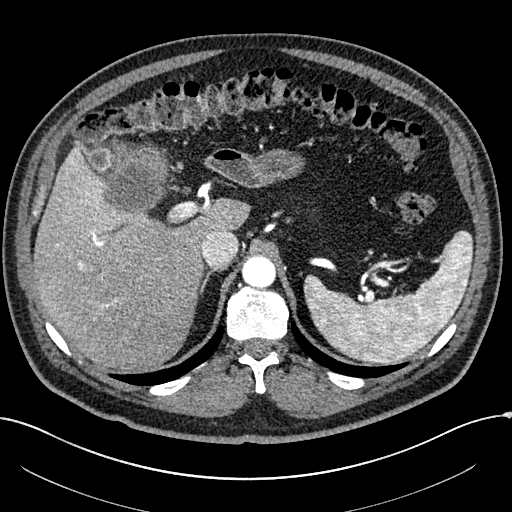
Arterial-phase contrast-enhanced abdominal CT, axial slice 191 of 304 (counted from the lowest slice); tube voltage 100 kVp, convolution kernel I30f; slices 2.00 mm thick, 0.809 mm per pixel.
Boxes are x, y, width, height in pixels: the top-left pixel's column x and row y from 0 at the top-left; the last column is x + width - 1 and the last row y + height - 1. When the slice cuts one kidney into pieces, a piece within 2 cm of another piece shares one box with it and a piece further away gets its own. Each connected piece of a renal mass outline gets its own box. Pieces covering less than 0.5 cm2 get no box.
Right renal mass at x 103, y 142, width 66, height 71 (outlined area 3,600 px, about 23.5 cm2); this slice has no kidney outline, though on another slice the same outlined renal mass lies within 1 cm of the kidney.